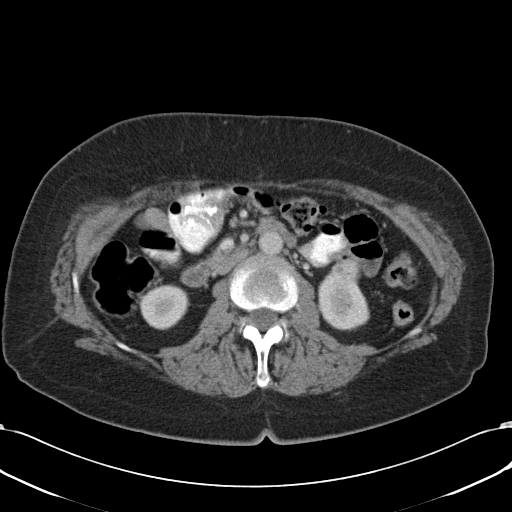
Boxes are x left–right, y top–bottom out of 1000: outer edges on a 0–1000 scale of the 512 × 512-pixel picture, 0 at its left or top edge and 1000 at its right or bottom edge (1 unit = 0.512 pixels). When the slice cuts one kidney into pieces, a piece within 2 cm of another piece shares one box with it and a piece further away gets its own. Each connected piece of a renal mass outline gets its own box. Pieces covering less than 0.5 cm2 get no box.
This is axial slice 56 of 90 (slice 1 is the lowest) of an abdominal CT with contrast; each pixel is 0.707 mm and the slice is 5.00 mm thick. Three boxes on this slice (two kidney boxes and one renal mass box), listed by box centre from the image's left to its right. (1) Right kidney at x 271–371, y 557–645 out of 1000 (outlined area 1,665 px, about 8.3 cm2). (2) Left kidney at x 623–721, y 533–643 out of 1000 (outlined area 2,007 px, about 10.0 cm2). (3) Left renal mass, box x 645–703, y 506–547 out of 1000 (outlined area 485 px, about 2.4 cm2).
Scan settings: 120 kVp, B31f reconstruction kernel.